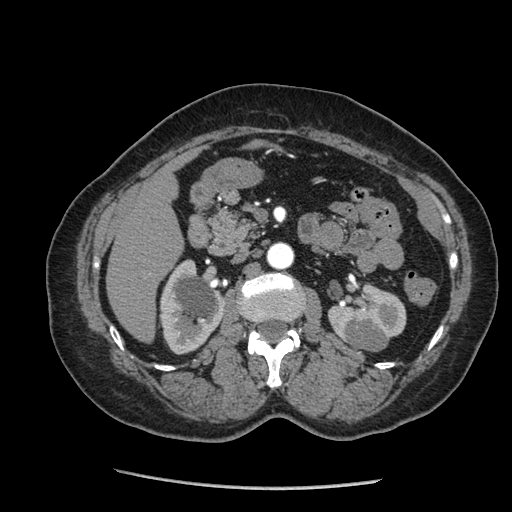
One axial slice (128 of 233, counting up from the lowest) of an arterial-phase abdominal CT acquired with 120 kVp, kernel STANDARD; each pixel is 0.703 mm and the slice is 1.25 mm thick.
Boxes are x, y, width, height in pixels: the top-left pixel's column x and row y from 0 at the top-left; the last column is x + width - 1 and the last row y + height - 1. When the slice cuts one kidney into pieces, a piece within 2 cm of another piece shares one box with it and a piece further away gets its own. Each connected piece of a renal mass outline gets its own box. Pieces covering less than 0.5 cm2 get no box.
Two kidney boxes and one renal mass box on this slice; by box centre, from the image's left to its right: (1) Right kidney at x 159, y 259, width 66, height 96 (outlined area 4,452 px, about 22.0 cm2). (2) Left kidney, box x 327, y 283, width 80, height 61 (outlined area 2,692 px, about 13.3 cm2). (3) Left renal mass at x 344, y 319, width 47, height 33 (outlined area 1,143 px, about 5.7 cm2).